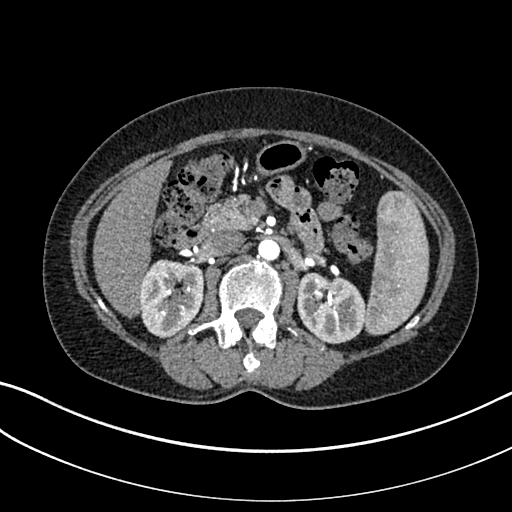
Arterial-phase contrast-enhanced abdominal CT, axial slice 178 of 325 (counted from the lowest slice); tube voltage 100 kVp, convolution kernel I30f; slices 1.00 mm thick, 0.703 mm per pixel.
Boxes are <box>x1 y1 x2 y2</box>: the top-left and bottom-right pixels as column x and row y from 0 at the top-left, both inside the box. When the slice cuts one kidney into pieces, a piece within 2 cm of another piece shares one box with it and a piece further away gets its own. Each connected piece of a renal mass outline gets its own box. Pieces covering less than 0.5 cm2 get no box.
Two kidney boxes on this slice; by box centre, from the image's left to its right: (1) Right kidney at <box>139 259 204 338</box> (outlined area 4,041 px, about 20.0 cm2). (2) Left kidney: <box>296 272 366 344</box> (outlined area 3,901 px, about 19.3 cm2). This slice carries no renal mass outline.